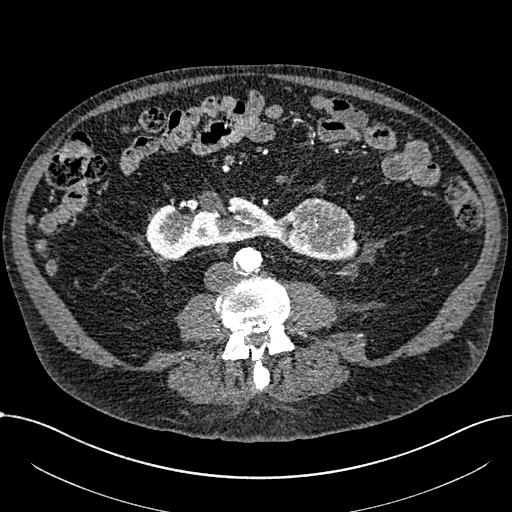
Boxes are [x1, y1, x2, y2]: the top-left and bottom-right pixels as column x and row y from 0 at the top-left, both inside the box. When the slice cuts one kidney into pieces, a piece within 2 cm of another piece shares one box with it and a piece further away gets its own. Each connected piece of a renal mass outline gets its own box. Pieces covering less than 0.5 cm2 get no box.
This is axial slice 281 of 1059 (slice 1 is the lowest) of an arterial-phase abdominal CT with contrast; each pixel is 0.811 mm and the slice is 1.00 mm thick. One kidney box and one renal mass box on this slice; by box centre, from the image's left to its right: (1) Kidney crossing the body midline, box [146, 195, 358, 261] (outlined area 6,908 px, about 45.4 cm2). (2) Box [294, 197, 354, 254]: renal mass (outlined area 2,521 px, about 16.6 cm2).
Acquired at 100 kVp and reconstructed with the I30f kernel.